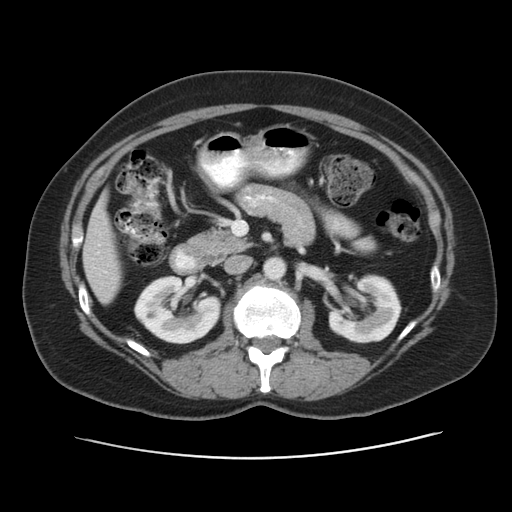
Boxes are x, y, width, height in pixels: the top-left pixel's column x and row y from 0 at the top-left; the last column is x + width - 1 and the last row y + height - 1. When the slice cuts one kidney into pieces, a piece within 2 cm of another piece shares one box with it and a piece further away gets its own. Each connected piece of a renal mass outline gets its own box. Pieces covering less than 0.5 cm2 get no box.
This is axial slice 28 of 53 (slice 1 is the lowest) of an arterial-phase abdominal CT with contrast; each pixel is 0.703 mm and the slice is 5.00 mm thick. Two boxes on this slice (two kidney boxes), listed by box centre from the image's left to its right. (1) Right kidney at x 133, y 274, width 88, height 71 (outlined area 4,303 px, about 21.3 cm2). (2) Box x 328, y 274, width 74, height 70: left kidney (outlined area 3,650 px, about 18.0 cm2). No renal mass is outlined on this slice.
Scan settings: 120 kVp, STANDARD reconstruction kernel.